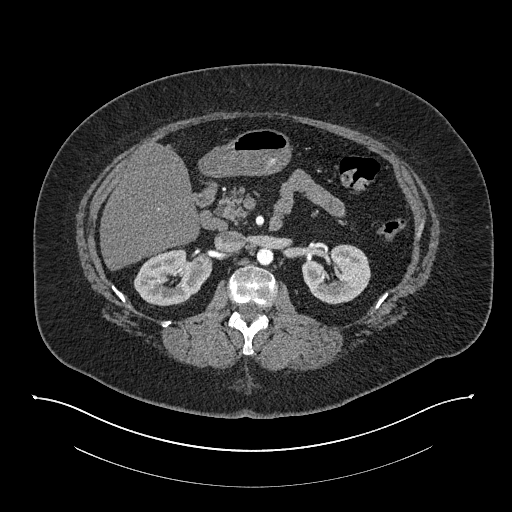
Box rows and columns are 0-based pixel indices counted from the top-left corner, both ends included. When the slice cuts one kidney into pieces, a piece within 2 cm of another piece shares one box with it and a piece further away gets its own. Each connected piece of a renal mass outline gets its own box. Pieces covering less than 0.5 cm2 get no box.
Slice 491/673 of a contrast-enhanced abdominal CT in the arterial phase, counting up from the lowest; pixel size 0.957 mm, slice thickness 1.00 mm. Two boxes on this slice (two kidney boxes), listed by box centre from the image's left to its right. (1) Right kidney at rows 247–306, columns 133–212 (outlined area 3,287 px, about 30.1 cm2). (2) Box rows 244–304, columns 301–370: left kidney (outlined area 3,029 px, about 27.7 cm2).
Acquired at 140 kVp and reconstructed with the I30f kernel.